Axial slice 380 of 738 of a contrast-enhanced abdominal CT in the arterial phase (slice 1 is the lowest), 120 kVp, kernel I30f; 1.00 mm slice thickness and 0.789 mm pixels.
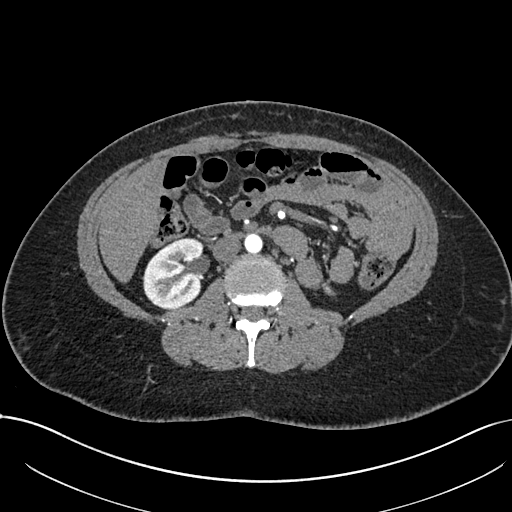
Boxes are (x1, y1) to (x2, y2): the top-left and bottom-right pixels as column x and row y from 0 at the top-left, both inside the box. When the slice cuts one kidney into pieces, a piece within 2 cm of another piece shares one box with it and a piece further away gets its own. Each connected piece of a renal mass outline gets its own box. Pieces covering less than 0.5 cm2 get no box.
Two boxes on this slice (two kidney boxes), listed by box centre from the image's left to its right. (1) Right kidney from (143, 238) to (203, 309) (outlined area 3,444 px, about 21.4 cm2). (2) Left kidney, box (321, 282) to (335, 295) (outlined area 108 px, about 0.7 cm2). This slice carries no renal mass outline.